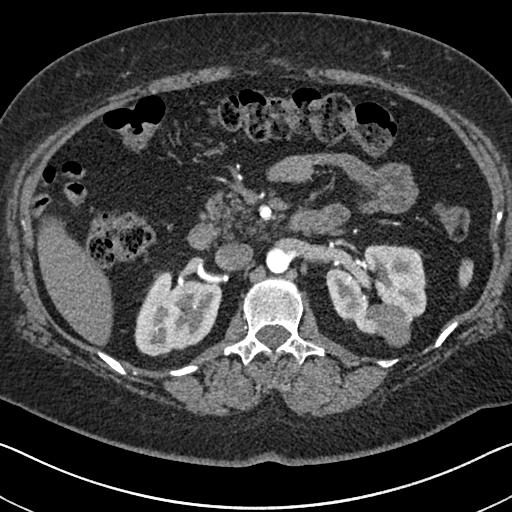
One axial slice (426 of 591, counting up from the lowest) of an arterial-phase abdominal CT acquired with 140 kVp, kernel I30f; each pixel is 0.703 mm and the slice is 1.00 mm thick.
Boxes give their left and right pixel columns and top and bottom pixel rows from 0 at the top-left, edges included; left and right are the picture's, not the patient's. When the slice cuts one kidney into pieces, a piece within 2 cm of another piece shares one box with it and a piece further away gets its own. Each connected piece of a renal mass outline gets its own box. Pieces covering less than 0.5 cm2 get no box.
Boxed on this slice (two kidney boxes and one renal mass box), listed by box centre from the image's left to its right: (1) Box with left 134, top 270, right 222, bottom 356: right kidney (outlined area 5,587 px, about 27.6 cm2). (2) Left kidney in the box with left 326, top 244, right 426, bottom 334 (outlined area 5,933 px, about 29.3 cm2). (3) Left renal mass, the box with left 370, top 303, right 410, bottom 347 (outlined area 1,278 px, about 6.3 cm2).